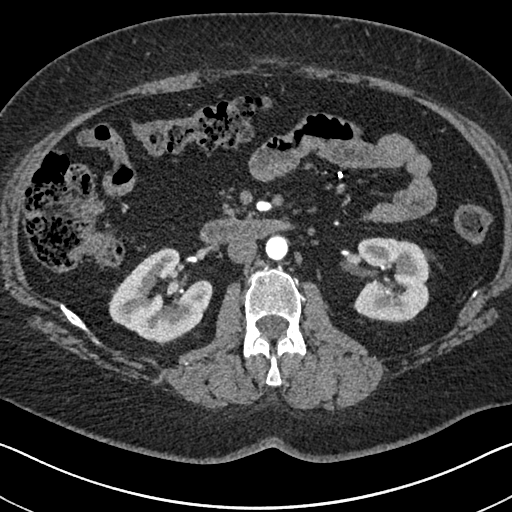
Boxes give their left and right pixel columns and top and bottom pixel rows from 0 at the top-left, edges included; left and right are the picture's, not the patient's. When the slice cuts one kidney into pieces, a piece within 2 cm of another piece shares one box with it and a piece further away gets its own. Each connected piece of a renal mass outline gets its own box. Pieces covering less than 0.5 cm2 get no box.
This is axial slice 384 of 591 (slice 1 is the lowest) of an arterial-phase abdominal CT with contrast; each pixel is 0.703 mm and the slice is 1.00 mm thick. Boxed on this slice (two kidney boxes), listed by box centre from the image's left to its right: (1) Box with left 108, top 247, right 212, bottom 341: right kidney (outlined area 6,293 px, about 31.1 cm2). (2) Box with left 352, top 237, right 429, bottom 322: left kidney (outlined area 5,345 px, about 26.4 cm2). This slice carries no renal mass outline.
Acquired at 140 kVp and reconstructed with the I30f kernel.